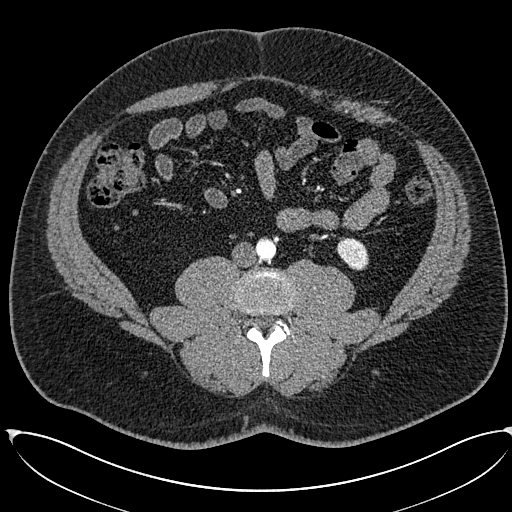
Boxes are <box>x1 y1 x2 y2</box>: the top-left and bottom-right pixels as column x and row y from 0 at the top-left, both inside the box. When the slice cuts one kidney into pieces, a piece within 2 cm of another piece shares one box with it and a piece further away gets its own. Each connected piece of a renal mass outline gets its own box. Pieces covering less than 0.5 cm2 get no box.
This is axial slice 225 of 673 (slice 1 is the lowest) of an arterial-phase abdominal CT with contrast; each pixel is 0.855 mm and the slice is 1.00 mm thick. Left kidney at <box>336 237 368 270</box> (outlined area 809 px, about 5.9 cm2). No renal mass outline on this slice.
Scan settings: 120 kVp, I30f reconstruction kernel.